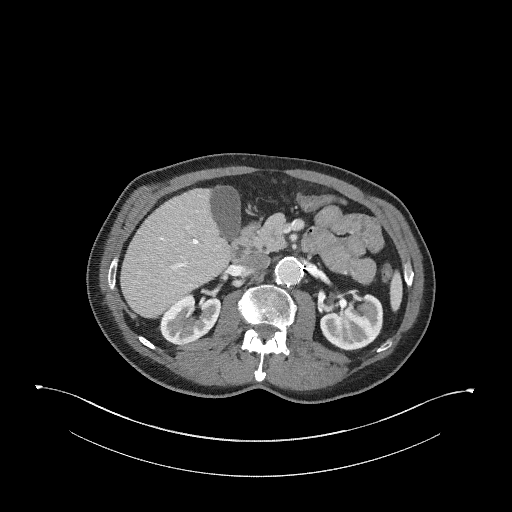
Arterial-phase contrast-enhanced abdominal CT, axial slice 159 of 345 (counted from the lowest slice); tube voltage 120 kVp, convolution kernel I31f; slices 2.00 mm thick, 0.977 mm per pixel.
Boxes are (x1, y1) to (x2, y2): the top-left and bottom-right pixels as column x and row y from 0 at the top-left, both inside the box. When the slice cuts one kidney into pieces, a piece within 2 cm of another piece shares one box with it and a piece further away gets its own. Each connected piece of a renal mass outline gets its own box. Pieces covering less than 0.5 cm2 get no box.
Two kidney boxes on this slice; by box centre, from the image's left to its right: (1) Right kidney, box (158, 293) to (220, 345) (outlined area 2,252 px, about 21.5 cm2). (2) Left kidney from (320, 294) to (383, 350) (outlined area 2,701 px, about 25.8 cm2). No renal mass is outlined on this slice.